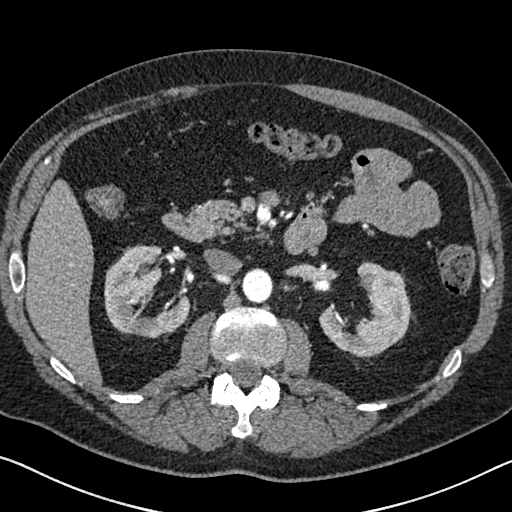
Axial slice 410 of 626 of a contrast-enhanced abdominal CT in the arterial phase (slice 1 is the lowest), 120 kVp, kernel I30f; 1.00 mm slice thickness and 0.703 mm pixels.
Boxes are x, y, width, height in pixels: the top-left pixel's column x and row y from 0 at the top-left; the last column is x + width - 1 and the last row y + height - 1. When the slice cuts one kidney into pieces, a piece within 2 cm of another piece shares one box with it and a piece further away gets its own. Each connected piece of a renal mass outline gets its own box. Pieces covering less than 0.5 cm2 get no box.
Boxed on this slice (two kidney boxes), listed by box centre from the image's left to its right: (1) Box x 104, y 244, width 87, height 95: right kidney (outlined area 5,267 px, about 26.0 cm2). (2) Left kidney at x 319, y 261, width 92, height 97 (outlined area 4,984 px, about 24.6 cm2). No renal mass is outlined on this slice.